Contrast-enhanced abdominal CT, axial slice 55 of 99 (counted from the lowest slice); tube voltage 120 kVp, convolution kernel STANDARD; slices 5.00 mm thick, 0.938 mm per pixel.
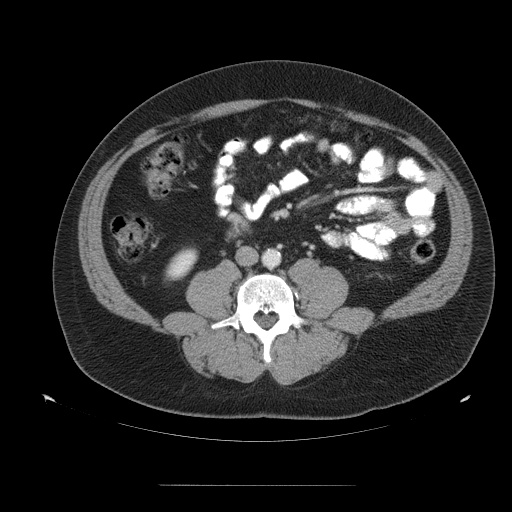
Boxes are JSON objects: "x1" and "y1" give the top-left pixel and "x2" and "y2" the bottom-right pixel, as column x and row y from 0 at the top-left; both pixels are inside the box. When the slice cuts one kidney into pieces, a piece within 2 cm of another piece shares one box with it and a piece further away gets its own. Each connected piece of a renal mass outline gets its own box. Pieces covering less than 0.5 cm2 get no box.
Right kidney, box {"x1": 164, "y1": 247, "x2": 198, "y2": 281} (outlined area 804 px, about 7.1 cm2). No renal mass outline on this slice.